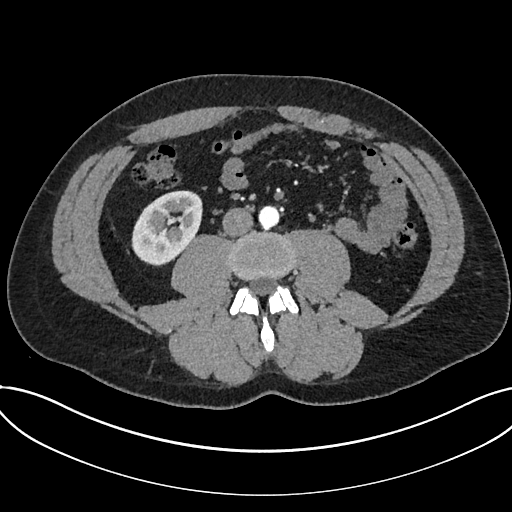
Arterial-phase contrast-enhanced abdominal CT, axial slice 307 of 735 (counted from the lowest slice); tube voltage 120 kVp, convolution kernel I30f; slices 1.00 mm thick, 0.789 mm per pixel.
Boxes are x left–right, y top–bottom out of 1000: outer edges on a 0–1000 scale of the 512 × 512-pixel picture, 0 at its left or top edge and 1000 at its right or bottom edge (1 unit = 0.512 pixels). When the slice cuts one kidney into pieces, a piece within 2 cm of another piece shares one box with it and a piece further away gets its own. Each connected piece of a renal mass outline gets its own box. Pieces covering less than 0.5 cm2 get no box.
Kidney, box x 256–396, y 371–518 out of 1000 (outlined area 3,818 px, about 23.8 cm2).